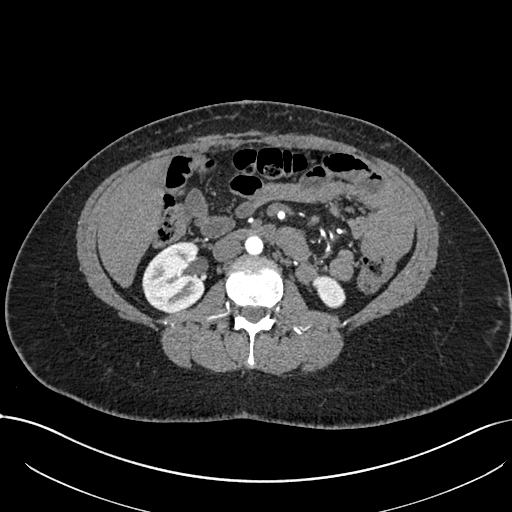
Abdominal CT with intravenous contrast, arterial phase, axial plane, 120 kVp, kernel I30f. Slice 389/738 from the bottom of the scan; thickness 1.00 mm; pixel size 0.789 mm.
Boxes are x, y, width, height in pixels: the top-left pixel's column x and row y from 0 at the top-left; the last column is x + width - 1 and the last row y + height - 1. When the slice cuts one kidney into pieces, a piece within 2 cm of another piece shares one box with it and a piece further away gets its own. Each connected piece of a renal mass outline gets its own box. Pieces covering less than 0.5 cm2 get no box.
Boxed on this slice (two kidney boxes), listed by box centre from the image's left to its right: (1) Right kidney at x 142, y 240, width 64, height 73 (outlined area 3,481 px, about 21.7 cm2). (2) Box x 312, y 275, width 34, height 34: left kidney (outlined area 770 px, about 4.8 cm2). No renal mass is outlined on this slice.